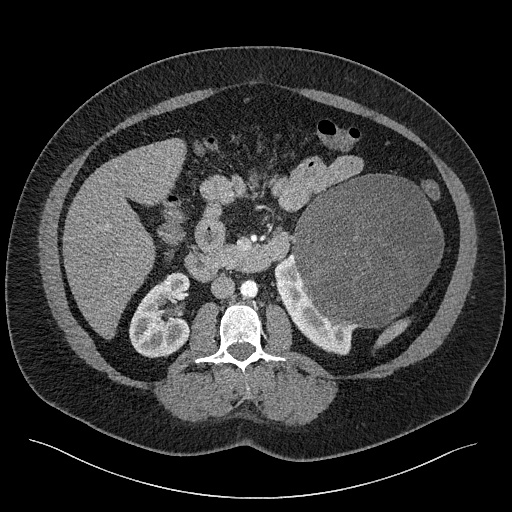
Axial slice 121 of 301 of a contrast-enhanced abdominal CT (slice 1 is the lowest), 120 kVp, kernel I40f; 2.00 mm slice thickness and 0.859 mm pixels.
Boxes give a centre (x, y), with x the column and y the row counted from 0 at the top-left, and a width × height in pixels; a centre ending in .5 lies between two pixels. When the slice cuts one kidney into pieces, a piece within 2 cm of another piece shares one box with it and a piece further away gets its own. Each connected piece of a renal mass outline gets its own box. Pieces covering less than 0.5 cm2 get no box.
Three boxes on this slice (two kidney boxes and one renal mass box), listed by box centre from the image's left to its right. (1) Right kidney in a box with centre (159, 315), 63 × 87 pixels (outlined area 3,829 px, about 28.3 cm2). (2) Left kidney in a box with centre (315, 303.5), 83 × 104 pixels (outlined area 2,913 px, about 21.5 cm2). (3) Box centre (367.5, 251), 152 × 155 pixels: left renal mass (outlined area 18,000 px, about 132.9 cm2).